Abdominal CT with intravenous contrast, arterial phase, axial plane, 120 kVp, kernel I30f. Slice 280/602 from the bottom of the scan; thickness 1.00 mm; pixel size 0.799 mm.
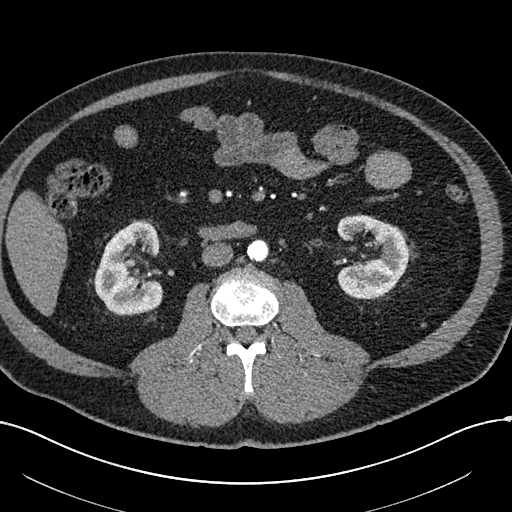
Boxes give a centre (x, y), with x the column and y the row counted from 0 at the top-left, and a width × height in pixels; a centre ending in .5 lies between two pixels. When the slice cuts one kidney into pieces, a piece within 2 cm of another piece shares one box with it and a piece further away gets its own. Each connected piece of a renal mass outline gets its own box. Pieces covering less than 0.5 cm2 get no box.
Boxed on this slice (two kidney boxes), listed by box centre from the image's left to its right: (1) Right kidney, box centre (128.5, 268), 70 × 95 pixels (outlined area 4,764 px, about 30.4 cm2). (2) Box centre (372, 256.5), 73 × 84 pixels: left kidney (outlined area 4,254 px, about 27.1 cm2). No renal mass is outlined on this slice.